Arterial-phase contrast-enhanced abdominal CT, axial slice 150 of 470 (counted from the lowest slice); tube voltage 120 kVp, convolution kernel I26f; slices 1.00 mm thick, 0.938 mm per pixel.
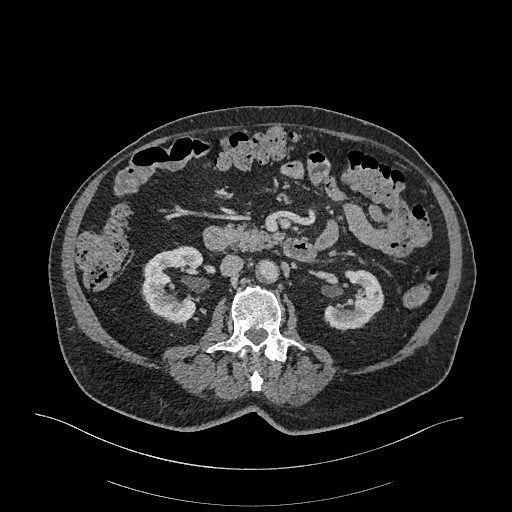
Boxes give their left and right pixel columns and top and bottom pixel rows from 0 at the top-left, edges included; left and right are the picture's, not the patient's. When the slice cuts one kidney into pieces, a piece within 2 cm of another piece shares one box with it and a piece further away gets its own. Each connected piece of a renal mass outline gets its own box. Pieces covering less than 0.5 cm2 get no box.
Two boxes on this slice (two kidney boxes), listed by box centre from the image's left to its right. (1) Right kidney in the box with left 140, top 246, right 202, bottom 323 (outlined area 3,330 px, about 29.3 cm2). (2) Box with left 324, top 269, right 384, bottom 331: left kidney (outlined area 2,398 px, about 21.1 cm2). No renal mass is outlined on this slice.